One axial slice (114 of 195, counting up from the lowest) of an arterial-phase abdominal CT acquired with 100 kVp, kernel I31f; each pixel is 0.707 mm and the slice is 1.50 mm thick.
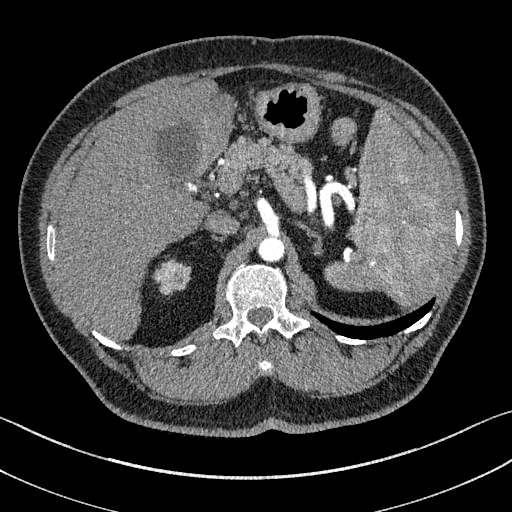
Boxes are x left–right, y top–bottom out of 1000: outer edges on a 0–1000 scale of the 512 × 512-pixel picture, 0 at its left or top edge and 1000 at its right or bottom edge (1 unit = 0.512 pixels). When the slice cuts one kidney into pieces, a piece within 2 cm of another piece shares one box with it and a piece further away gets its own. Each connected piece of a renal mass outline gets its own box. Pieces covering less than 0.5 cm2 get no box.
Box x 299–373, y 506–576 out of 1000: right kidney (outlined area 935 px, about 4.7 cm2). No renal mass outline on this slice.